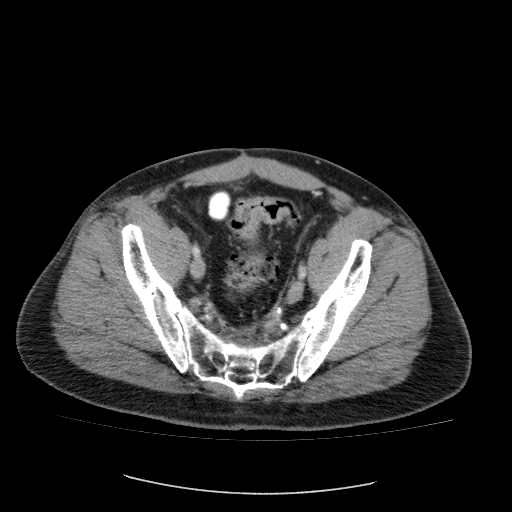
This is axial slice 21 of 87 (slice 1 is the lowest) of an abdominal CT with contrast; each pixel is 0.812 mm and the slice is 5.00 mm thick. Neither a kidney nor a renal mass is outlined here. Only kidneys and renal masses are outlined anywhere in this scan; other structures are never outlined.
Acquired at 120 kVp and reconstructed with the FC12 kernel.